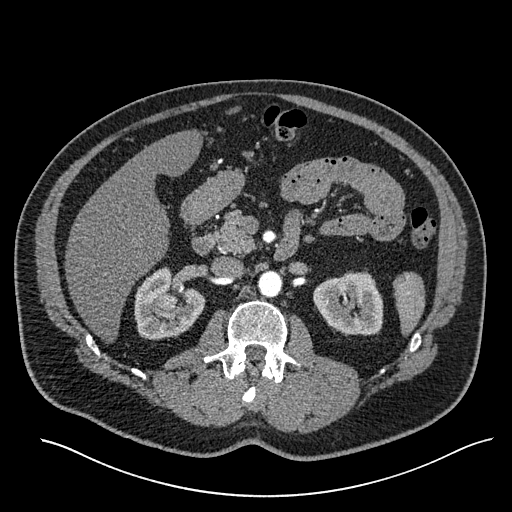
Axial slice 351 of 527 of a contrast-enhanced abdominal CT in the arterial phase (slice 1 is the lowest), 120 kVp, kernel I30f; 1.00 mm slice thickness and 0.859 mm pixels.
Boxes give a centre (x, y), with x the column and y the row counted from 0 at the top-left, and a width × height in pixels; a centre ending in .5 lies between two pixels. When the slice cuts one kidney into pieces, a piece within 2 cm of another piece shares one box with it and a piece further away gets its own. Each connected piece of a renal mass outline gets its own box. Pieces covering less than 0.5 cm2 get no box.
Two kidney boxes and one renal mass box on this slice; by box centre, from the image's left to its right: (1) Right renal mass, box centre (165.5, 301), 22 × 19 pixels (outlined area 348 px, about 2.6 cm2). (2) Box centre (169.5, 303.5), 72 × 72 pixels: right kidney (outlined area 3,376 px, about 24.9 cm2). (3) Box centre (348, 302.5), 71 × 66 pixels: left kidney (outlined area 3,553 px, about 26.2 cm2).